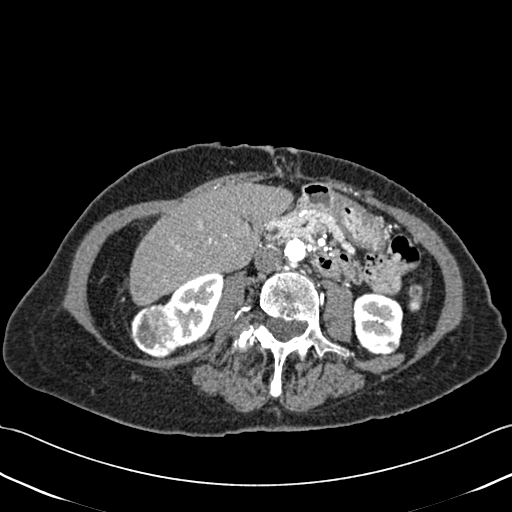
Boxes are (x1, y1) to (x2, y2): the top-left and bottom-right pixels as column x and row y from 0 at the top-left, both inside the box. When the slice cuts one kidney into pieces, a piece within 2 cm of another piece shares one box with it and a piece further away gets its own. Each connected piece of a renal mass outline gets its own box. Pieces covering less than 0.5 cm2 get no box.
Contrast-enhanced abdominal CT, axial slice 193 of 433 (counted from the lowest slice); 1.00 mm thick, 0.672 mm per pixel. Three boxes on this slice (two kidney boxes and one renal mass box), listed by box centre from the image's left to its right. (1) Box (130, 304) to (181, 358): right renal mass (outlined area 2,151 px, about 9.7 cm2). (2) Right kidney, box (164, 273) to (223, 347) (outlined area 2,589 px, about 11.7 cm2). (3) Left kidney, box (352, 293) to (403, 354) (outlined area 2,619 px, about 11.8 cm2).
Acquired at 120 kVp and reconstructed with the B30f kernel.